Arterial-phase contrast-enhanced abdominal CT, axial slice 594 of 735 (counted from the lowest slice); tube voltage 120 kVp, convolution kernel I30f; slices 1.00 mm thick, 0.789 mm per pixel.
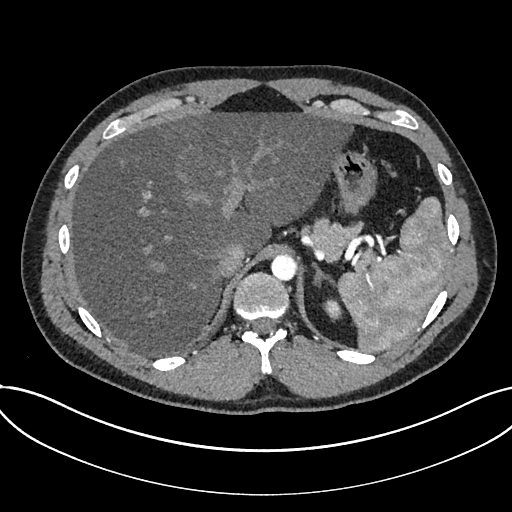
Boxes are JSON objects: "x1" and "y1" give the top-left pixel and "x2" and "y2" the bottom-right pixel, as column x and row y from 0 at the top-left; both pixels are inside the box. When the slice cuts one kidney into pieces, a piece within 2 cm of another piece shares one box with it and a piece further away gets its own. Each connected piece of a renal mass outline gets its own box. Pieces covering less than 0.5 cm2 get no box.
Box {"x1": 322, "y1": 299, "x2": 342, "y2": 321}: kidney (outlined area 311 px, about 1.9 cm2). This slice carries no renal mass outline.